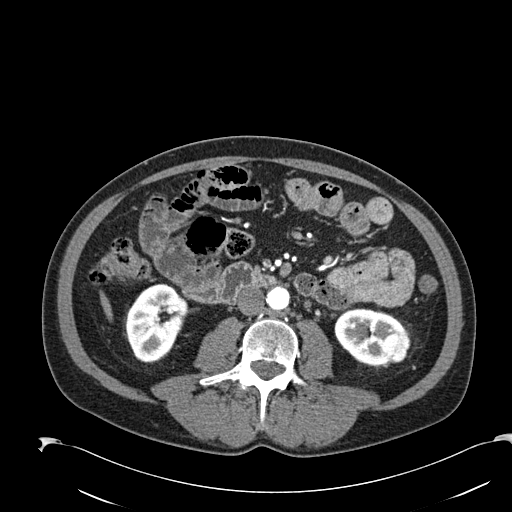
Abdominal CT with intravenous contrast, arterial phase, axial plane, 120 kVp, kernel B30f. Slice 83/274 from the bottom of the scan; thickness 2.00 mm; pixel size 0.809 mm.
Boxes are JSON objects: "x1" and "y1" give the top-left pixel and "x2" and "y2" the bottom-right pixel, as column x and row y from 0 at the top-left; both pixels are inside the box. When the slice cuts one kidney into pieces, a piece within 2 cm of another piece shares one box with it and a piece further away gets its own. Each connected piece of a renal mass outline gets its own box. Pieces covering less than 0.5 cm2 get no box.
Three boxes on this slice (two kidney boxes and one renal mass box), listed by box centre from the image's left to its right. (1) Right kidney at {"x1": 125, "y1": 283, "x2": 188, "y2": 362} (outlined area 3,612 px, about 23.6 cm2). (2) Box {"x1": 334, "y1": 308, "x2": 406, "y2": 365}: left kidney (outlined area 2,685 px, about 17.6 cm2). (3) Left renal mass, box {"x1": 382, "y1": 332, "x2": 410, "y2": 362} (outlined area 694 px, about 4.5 cm2).